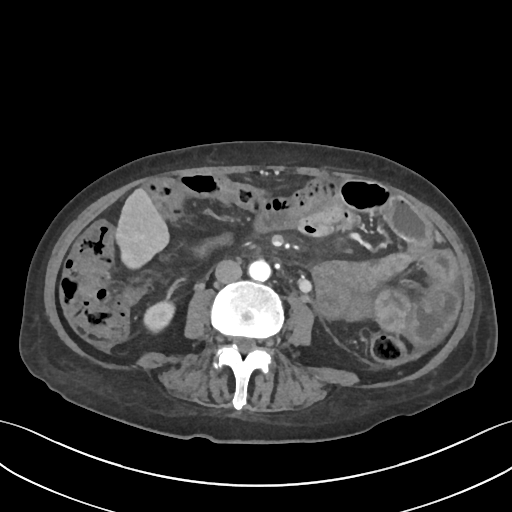
Axial slice 19 of 109 of a contrast-enhanced abdominal CT (slice 1 is the lowest), 120 kVp, kernel I30f; 3.00 mm slice thickness and 0.742 mm pixels.
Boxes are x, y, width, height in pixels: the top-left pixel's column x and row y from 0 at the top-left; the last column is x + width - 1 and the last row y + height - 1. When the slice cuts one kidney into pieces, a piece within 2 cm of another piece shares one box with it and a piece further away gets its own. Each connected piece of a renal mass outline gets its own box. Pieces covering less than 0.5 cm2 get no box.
Right kidney, box x 142, y 301, width 34, height 32 (outlined area 789 px, about 4.3 cm2). This slice carries no renal mass outline.